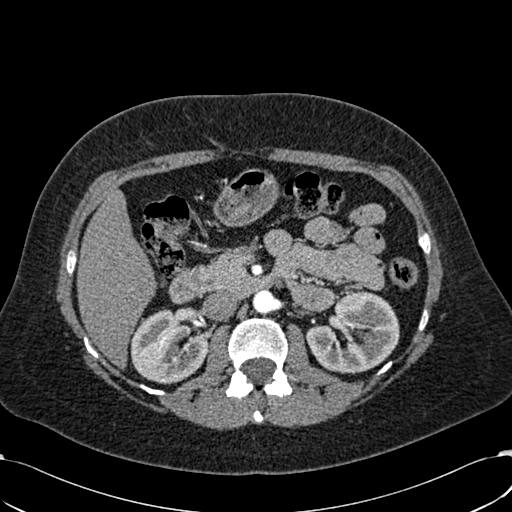
Axial slice 377 of 532 of a contrast-enhanced abdominal CT in the arterial phase (slice 1 is the lowest), 120 kVp, kernel B30f; 1.00 mm slice thickness and 0.713 mm pixels.
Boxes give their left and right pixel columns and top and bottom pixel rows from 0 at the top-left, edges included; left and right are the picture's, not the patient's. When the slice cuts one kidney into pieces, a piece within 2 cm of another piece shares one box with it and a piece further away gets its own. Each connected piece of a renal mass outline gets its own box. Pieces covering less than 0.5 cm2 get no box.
Two boxes on this slice (two kidney boxes), listed by box centre from the image's left to its right. (1) Right kidney, the box with left 130, top 309, right 207, bottom 384 (outlined area 4,241 px, about 21.6 cm2). (2) Left kidney, the box with left 305, top 290, right 399, bottom 373 (outlined area 5,464 px, about 27.8 cm2). No renal mass is outlined on this slice.